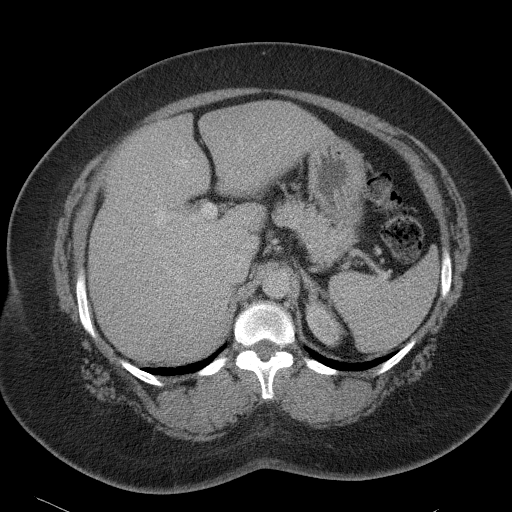
Abdominal CT with intravenous contrast, axial plane, 120 kVp, kernel B41f. Slice 73/90 from the bottom of the scan; thickness 5.00 mm; pixel size 0.781 mm.
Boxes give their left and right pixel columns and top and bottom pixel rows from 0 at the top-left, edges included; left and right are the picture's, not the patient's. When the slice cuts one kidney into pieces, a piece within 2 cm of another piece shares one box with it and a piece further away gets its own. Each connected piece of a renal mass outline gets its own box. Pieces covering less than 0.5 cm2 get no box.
Left kidney, the box with left 306, top 300, right 344, bottom 346 (outlined area 1,139 px, about 7.0 cm2). No renal mass is outlined on this slice.